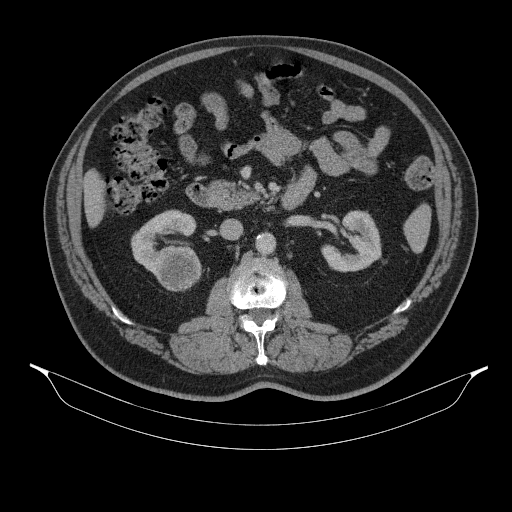
Axial slice 198 of 314 of a contrast-enhanced abdominal CT (slice 1 is the lowest), 130 kVp, kernel B31s; 2.50 mm slice thickness and 0.934 mm pixels.
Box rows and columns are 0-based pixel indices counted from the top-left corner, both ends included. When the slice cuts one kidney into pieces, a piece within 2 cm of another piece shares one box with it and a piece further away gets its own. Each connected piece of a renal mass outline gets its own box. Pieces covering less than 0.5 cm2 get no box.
Three boxes on this slice (two kidney boxes and one renal mass box), listed by box centre from the image's left to its right. (1) Box rows 209–273, columns 131–197: right kidney (outlined area 2,181 px, about 19.0 cm2). (2) Right renal mass, box rows 246–291, columns 154–203 (outlined area 1,766 px, about 15.4 cm2). (3) Left kidney, box rows 210–272, columns 321–381 (outlined area 2,424 px, about 21.1 cm2).